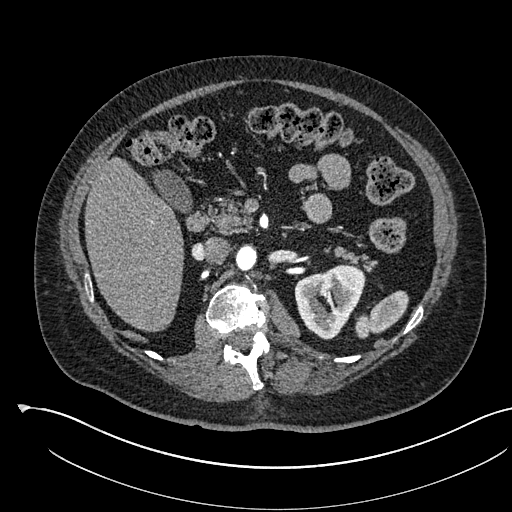
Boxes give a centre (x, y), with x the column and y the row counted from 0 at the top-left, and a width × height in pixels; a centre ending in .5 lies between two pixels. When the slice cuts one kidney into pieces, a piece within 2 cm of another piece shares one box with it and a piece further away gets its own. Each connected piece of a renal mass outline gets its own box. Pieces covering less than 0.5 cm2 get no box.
Slice 354/541 of a contrast-enhanced abdominal CT in the arterial phase, counting up from the lowest; pixel size 0.834 mm, slice thickness 1.00 mm. Left kidney, box centre (329.5, 301), 72 × 77 pixels (outlined area 3,710 px, about 25.8 cm2). This slice carries no renal mass outline.
Scan settings: 120 kVp, I30f reconstruction kernel.